Axial slice 517 of 612 of a contrast-enhanced abdominal CT in the arterial phase (slice 1 is the lowest), 120 kVp, kernel I30f; 1.00 mm slice thickness and 0.703 mm pixels.
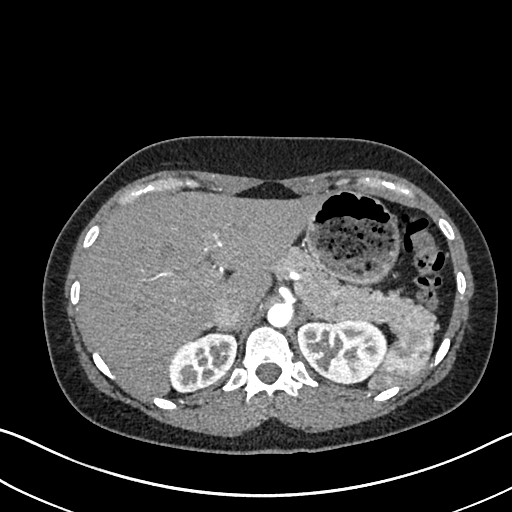
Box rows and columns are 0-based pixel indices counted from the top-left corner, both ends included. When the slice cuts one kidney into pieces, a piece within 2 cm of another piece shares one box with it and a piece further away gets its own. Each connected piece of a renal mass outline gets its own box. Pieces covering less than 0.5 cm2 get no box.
Two kidney boxes on this slice; by box centre, from the image's left to its right: (1) Right kidney, box rows 331–393, columns 169–236 (outlined area 3,056 px, about 15.1 cm2). (2) Left kidney at rows 319–383, columns 297–387 (outlined area 4,590 px, about 22.7 cm2). No renal mass is outlined on this slice.